One axial slice (63 of 90, counting up from the lowest) of a contrast-enhanced abdominal CT acquired with 120 kVp, kernel B41f; each pixel is 0.781 mm and the slice is 5.00 mm thick.
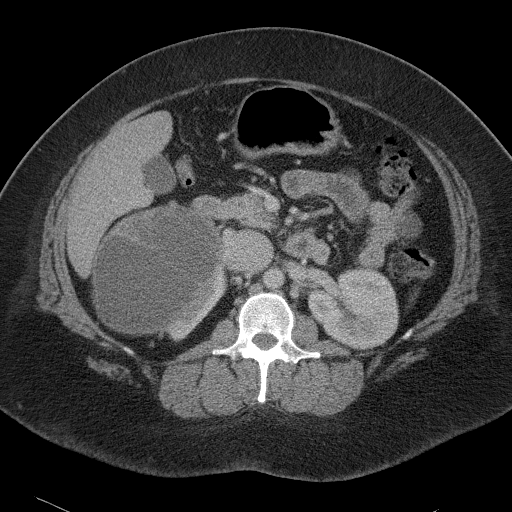
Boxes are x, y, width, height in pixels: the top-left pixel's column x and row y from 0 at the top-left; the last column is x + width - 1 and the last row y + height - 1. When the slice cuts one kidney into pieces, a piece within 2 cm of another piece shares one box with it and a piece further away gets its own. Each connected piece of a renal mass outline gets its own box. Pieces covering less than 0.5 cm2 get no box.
Boxed on this slice (two kidney boxes and one renal mass box), listed by box centre from the image's left to its right: (1) Right renal mass, box x 92, y 204, width 133, height 132 (outlined area 13,253 px, about 80.9 cm2). (2) Right kidney at x 163, y 251, width 65, height 91 (outlined area 1,339 px, about 8.2 cm2). (3) Left kidney, box x 308, y 267, width 91, height 83 (outlined area 5,638 px, about 34.4 cm2).